Arterial-phase contrast-enhanced abdominal CT, axial slice 270 of 735 (counted from the lowest slice); tube voltage 120 kVp, convolution kernel I30f; slices 1.00 mm thick, 0.789 mm per pixel.
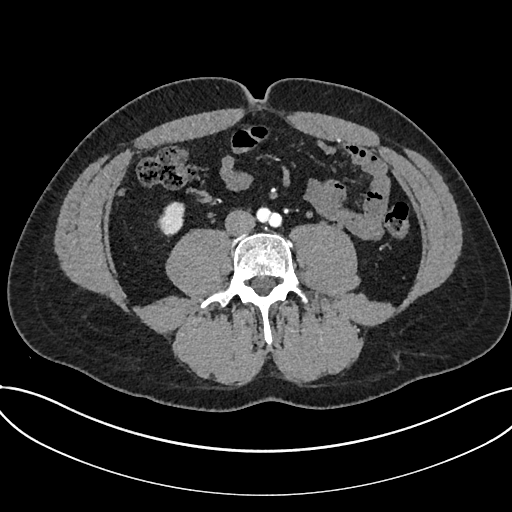
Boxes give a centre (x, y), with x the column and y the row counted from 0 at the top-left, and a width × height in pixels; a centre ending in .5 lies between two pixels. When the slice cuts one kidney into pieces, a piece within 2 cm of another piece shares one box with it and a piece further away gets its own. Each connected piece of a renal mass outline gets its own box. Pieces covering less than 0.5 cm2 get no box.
Kidney in a box with centre (170.5, 218.5), 28 × 36 pixels (outlined area 715 px, about 4.5 cm2). No renal mass is outlined on this slice.